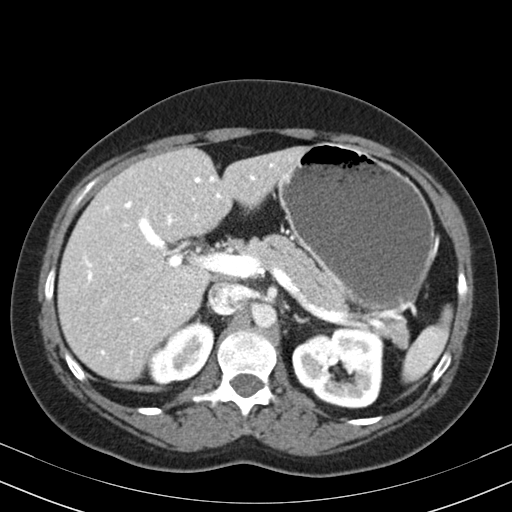
Abdominal CT with intravenous contrast, arterial phase, axial plane, 130 kVp, kernel B30s. Slice 126/164 from the bottom of the scan; thickness 3.00 mm; pixel size 0.664 mm.
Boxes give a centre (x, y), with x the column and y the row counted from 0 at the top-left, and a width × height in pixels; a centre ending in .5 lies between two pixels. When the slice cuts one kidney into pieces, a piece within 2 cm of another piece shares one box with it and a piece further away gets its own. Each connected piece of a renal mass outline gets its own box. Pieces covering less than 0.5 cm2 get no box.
Two boxes on this slice (two kidney boxes), listed by box centre from the image's left to its right. (1) Right kidney, box centre (181, 352.5), 67 × 64 pixels (outlined area 2,877 px, about 12.7 cm2). (2) Left kidney, box centre (338, 367.5), 93 × 82 pixels (outlined area 5,922 px, about 26.1 cm2). No renal mass is outlined on this slice.